Arterial-phase contrast-enhanced abdominal CT, axial slice 280 of 705 (counted from the lowest slice); tube voltage 120 kVp, convolution kernel I30f; slices 1.00 mm thick, 0.703 mm per pixel.
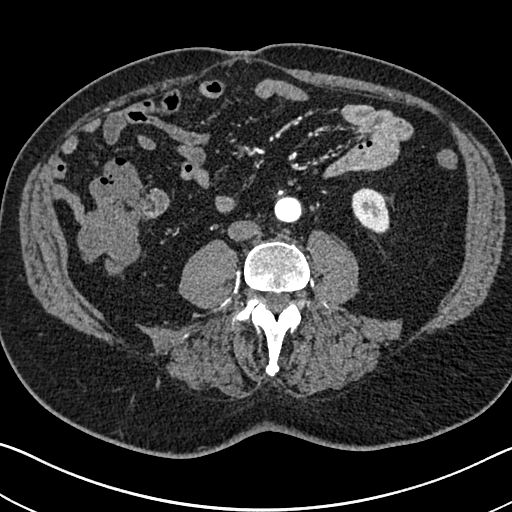
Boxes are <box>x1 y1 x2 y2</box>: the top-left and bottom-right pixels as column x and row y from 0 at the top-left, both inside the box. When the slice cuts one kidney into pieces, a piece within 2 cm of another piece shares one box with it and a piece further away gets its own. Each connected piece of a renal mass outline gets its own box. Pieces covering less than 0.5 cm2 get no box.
Left kidney at <box>351 188 389 233</box> (outlined area 1,329 px, about 6.6 cm2). This slice carries no renal mass outline.